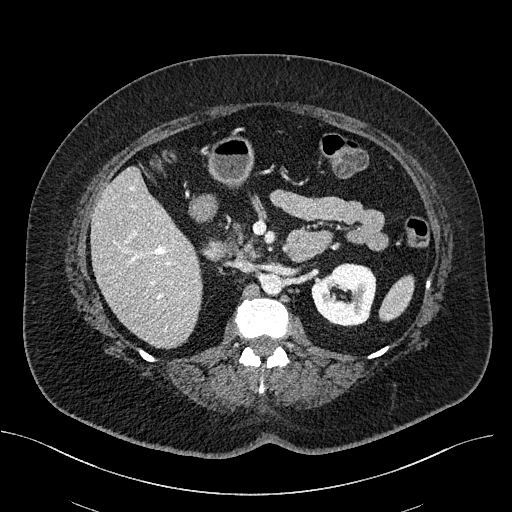
One axial slice (314 of 470, counting up from the lowest) of a contrast-enhanced abdominal CT acquired with 100 kVp, kernel I40f; each pixel is 0.824 mm and the slice is 2.00 mm thick.
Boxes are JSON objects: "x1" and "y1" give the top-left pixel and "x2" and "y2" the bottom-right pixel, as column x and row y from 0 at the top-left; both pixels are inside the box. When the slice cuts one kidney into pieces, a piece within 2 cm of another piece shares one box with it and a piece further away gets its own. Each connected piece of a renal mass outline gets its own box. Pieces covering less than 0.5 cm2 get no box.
Box {"x1": 311, "y1": 263, "x2": 376, "y2": 326}: left kidney (outlined area 3,103 px, about 21.1 cm2). This slice carries no renal mass outline.